Abdominal CT with intravenous contrast, arterial phase, axial plane, 120 kVp, kernel STANDARD. Slice 41/121 from the bottom of the scan; thickness 2.50 mm; pixel size 0.861 mm.
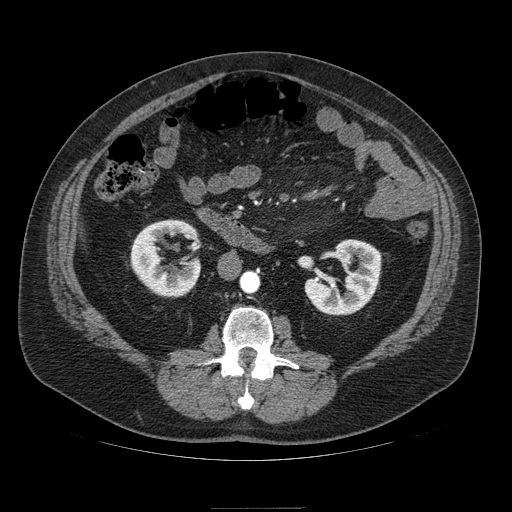
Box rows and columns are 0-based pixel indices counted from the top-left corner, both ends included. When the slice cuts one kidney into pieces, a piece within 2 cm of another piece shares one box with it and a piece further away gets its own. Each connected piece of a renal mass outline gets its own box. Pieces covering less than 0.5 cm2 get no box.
Boxed on this slice (two kidney boxes), listed by box centre from the image's left to its right: (1) Box rows 219–297, columns 130–200: right kidney (outlined area 3,658 px, about 27.1 cm2). (2) Left kidney at rows 239–315, columns 304–381 (outlined area 3,734 px, about 27.7 cm2). No renal mass outline on this slice.